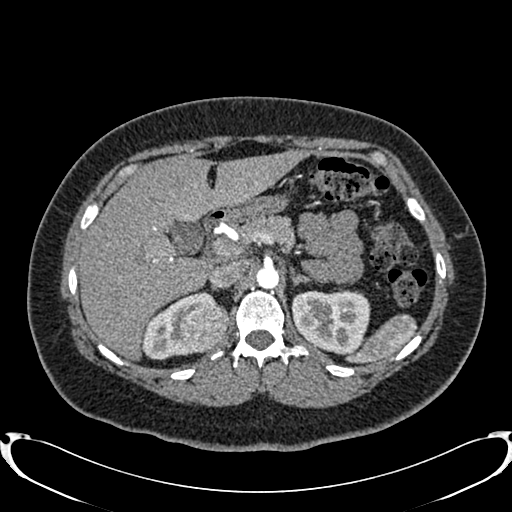
Arterial-phase contrast-enhanced abdominal CT, axial slice 557 of 719 (counted from the lowest slice); tube voltage 120 kVp, convolution kernel B20f; slices 1.00 mm thick, 0.766 mm per pixel.
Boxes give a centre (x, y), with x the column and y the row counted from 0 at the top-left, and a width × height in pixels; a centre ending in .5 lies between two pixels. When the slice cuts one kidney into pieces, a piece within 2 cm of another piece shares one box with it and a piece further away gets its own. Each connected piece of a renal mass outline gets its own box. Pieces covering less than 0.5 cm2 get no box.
Two kidney boxes and one renal mass box on this slice; by box centre, from the image's left to its right: (1) Box centre (178, 325.5), 77 × 70 pixels: right kidney (outlined area 2,349 px, about 13.8 cm2). (2) Right renal mass, box centre (204.5, 328.5), 52 × 50 pixels (outlined area 2,011 px, about 11.8 cm2). (3) Box centre (330.5, 321.5), 80 × 66 pixels: left kidney (outlined area 4,091 px, about 24.0 cm2).